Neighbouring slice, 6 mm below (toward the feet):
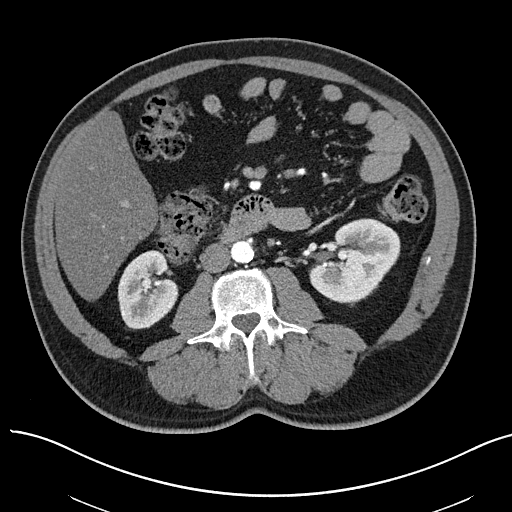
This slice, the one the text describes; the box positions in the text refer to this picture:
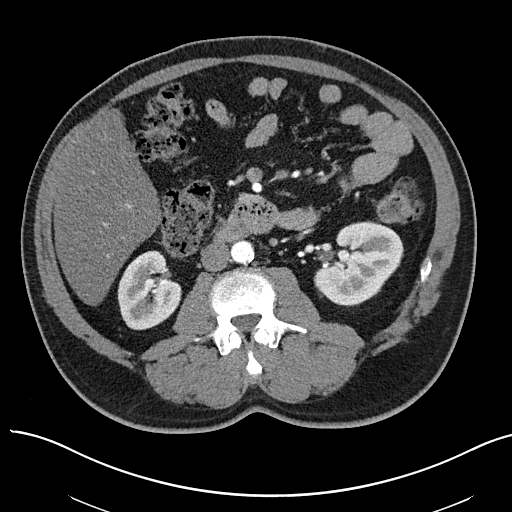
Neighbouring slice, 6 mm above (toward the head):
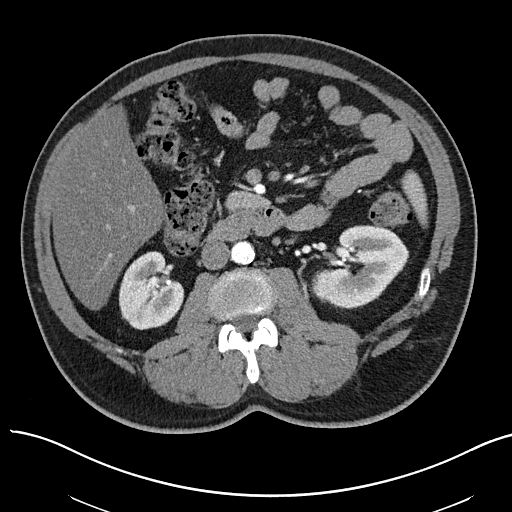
Arterial-phase contrast-enhanced abdominal CT, axial slice 27 of 97 (counted from the lowest slice); tube voltage 100 kVp, convolution kernel I40f; slices 3.00 mm thick, 0.797 mm per pixel.
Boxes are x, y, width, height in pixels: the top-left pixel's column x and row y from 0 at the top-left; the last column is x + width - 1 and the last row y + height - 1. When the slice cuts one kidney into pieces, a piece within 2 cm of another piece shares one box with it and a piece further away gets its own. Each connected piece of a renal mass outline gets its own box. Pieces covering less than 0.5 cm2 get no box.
Two kidney boxes and one renal mass box on this slice; by box centre, from the image's left to its right: (1) Right kidney at x 117, y 250, width 65, height 81 (outlined area 3,751 px, about 23.8 cm2). (2) Box x 313, y 264, width 31, height 36: left renal mass (outlined area 801 px, about 5.1 cm2). (3) Box x 319, y 221, width 85, height 86: left kidney (outlined area 4,537 px, about 28.8 cm2). This slice lies near the end of the left renal mass toward the feet; the slices 6 mm below and 6 mm above it are shown too, and the boxes mark positions on this slice only.